Arterial-phase contrast-enhanced abdominal CT, axial slice 386 of 612 (counted from the lowest slice); tube voltage 120 kVp, convolution kernel I30f; slices 1.00 mm thick, 0.703 mm per pixel.
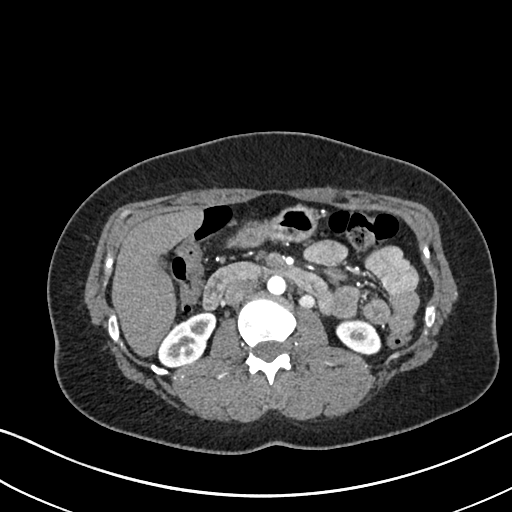
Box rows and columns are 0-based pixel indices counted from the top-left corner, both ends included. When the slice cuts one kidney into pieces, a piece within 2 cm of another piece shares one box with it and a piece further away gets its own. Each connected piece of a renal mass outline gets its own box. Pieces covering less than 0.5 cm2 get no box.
Boxed on this slice (two kidney boxes), listed by box centre from the image's left to its right: (1) Box rows 311–367, columns 158–215: right kidney (outlined area 2,069 px, about 10.2 cm2). (2) Box rows 319–353, columns 335–381: left kidney (outlined area 1,212 px, about 6.0 cm2). No renal mass outline on this slice.